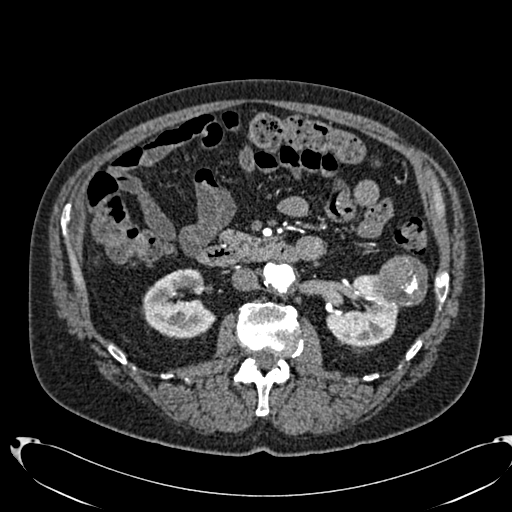
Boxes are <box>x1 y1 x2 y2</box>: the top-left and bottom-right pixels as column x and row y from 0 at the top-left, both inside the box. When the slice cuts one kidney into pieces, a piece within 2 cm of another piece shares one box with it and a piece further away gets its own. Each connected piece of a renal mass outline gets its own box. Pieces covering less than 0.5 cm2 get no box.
This is axial slice 401 of 553 (slice 1 is the lowest) of an arterial-phase abdominal CT with contrast; each pixel is 0.773 mm and the slice is 1.00 mm thick. Boxed on this slice (two kidney boxes and one renal mass box), listed by box centre from the image's left to its right: (1) Right kidney: <box>142 268 216 338</box> (outlined area 3,644 px, about 21.8 cm2). (2) Left kidney: <box>326 274 399 346</box> (outlined area 3,292 px, about 19.7 cm2). (3) At <box>371 255 427 307</box>: left renal mass (outlined area 2,293 px, about 13.7 cm2).
Acquired at 120 kVp and reconstructed with the B20f kernel.